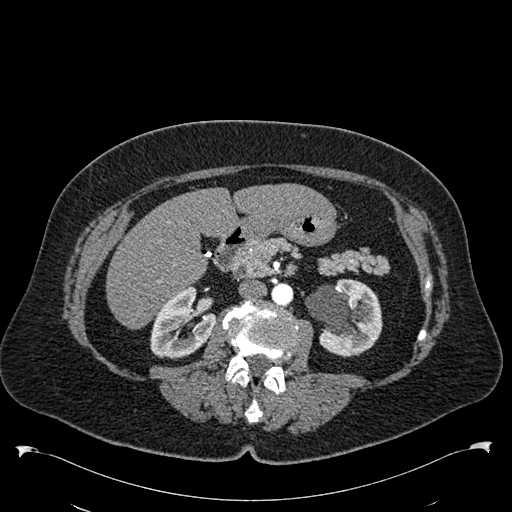
Arterial-phase contrast-enhanced abdominal CT, axial slice 318 of 538 (counted from the lowest slice); tube voltage 120 kVp, convolution kernel B30f; slices 1.00 mm thick, 0.811 mm per pixel.
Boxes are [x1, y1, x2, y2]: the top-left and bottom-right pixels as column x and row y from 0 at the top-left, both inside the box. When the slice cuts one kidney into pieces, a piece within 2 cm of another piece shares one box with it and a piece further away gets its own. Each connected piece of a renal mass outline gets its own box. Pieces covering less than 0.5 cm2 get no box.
Two boxes on this slice (two kidney boxes), listed by box centre from the image's left to its right. (1) Box [150, 287, 216, 359]: right kidney (outlined area 3,203 px, about 21.0 cm2). (2) Left kidney, box [305, 279, 382, 356] (outlined area 4,383 px, about 28.8 cm2). No renal mass outline on this slice.